One axial slice (133 of 186, counting up from the lowest) of a contrast-enhanced abdominal CT acquired with 120 kVp, kernel STANDARD; each pixel is 0.850 mm and the slice is 2.50 mm thick.
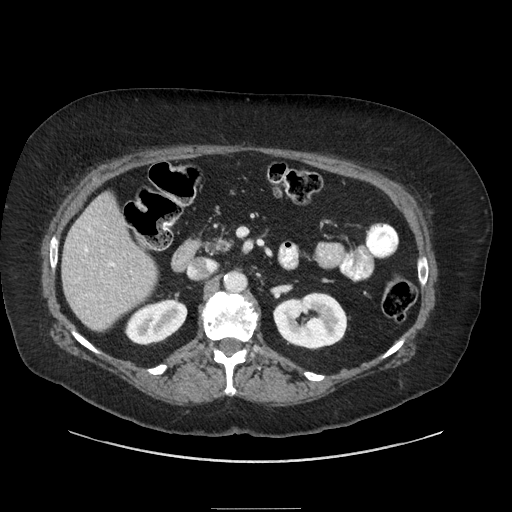
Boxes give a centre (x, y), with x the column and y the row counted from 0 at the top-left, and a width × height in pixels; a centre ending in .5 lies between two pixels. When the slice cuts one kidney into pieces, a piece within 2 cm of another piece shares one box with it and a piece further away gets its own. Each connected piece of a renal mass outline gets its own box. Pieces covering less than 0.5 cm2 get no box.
Two boxes on this slice (two kidney boxes), listed by box centre from the image's left to its right. (1) Box centre (155.5, 321.5), 64 × 48 pixels: right kidney (outlined area 2,137 px, about 15.4 cm2). (2) Box centre (310.5, 320.5), 76 × 58 pixels: left kidney (outlined area 3,313 px, about 23.9 cm2). No renal mass outline on this slice.